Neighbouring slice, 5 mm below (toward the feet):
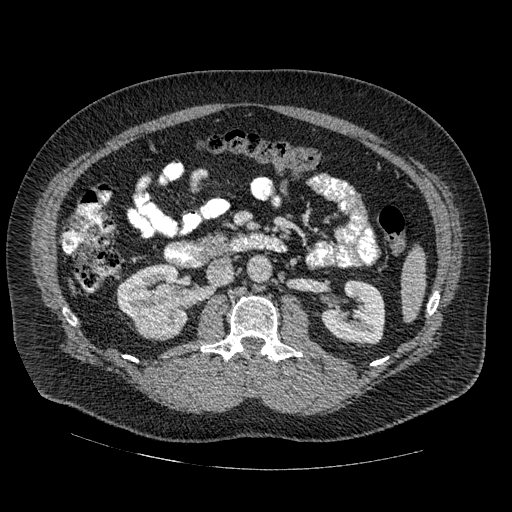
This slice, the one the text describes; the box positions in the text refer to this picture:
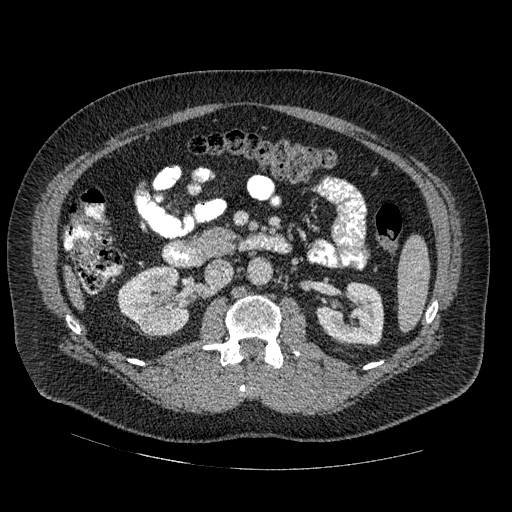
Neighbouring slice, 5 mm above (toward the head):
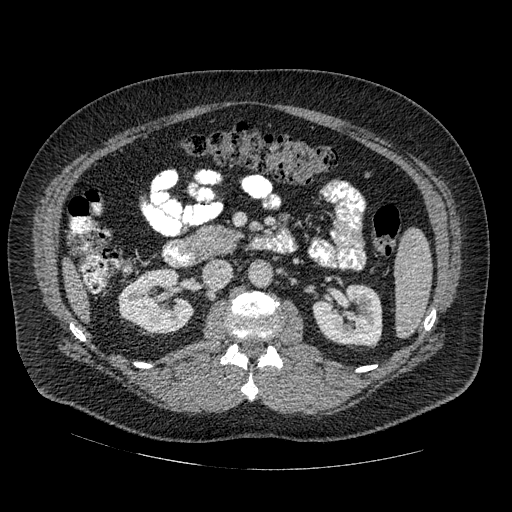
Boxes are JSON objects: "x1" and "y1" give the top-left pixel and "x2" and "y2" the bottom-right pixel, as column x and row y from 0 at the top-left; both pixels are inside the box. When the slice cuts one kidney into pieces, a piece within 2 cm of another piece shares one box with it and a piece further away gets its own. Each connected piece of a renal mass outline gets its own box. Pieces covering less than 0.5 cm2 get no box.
This is axial slice 274 of 445 (slice 1 is the lowest) of an arterial-phase abdominal CT with contrast; each pixel is 0.863 mm and the slice is 1.25 mm thick. Boxed on this slice (two kidney boxes and one renal mass box), listed by box centre from the image's left to its right: (1) Right kidney at {"x1": 117, "y1": 266, "x2": 190, "y2": 336} (outlined area 3,160 px, about 23.6 cm2). (2) Right renal mass at {"x1": 140, "y1": 308, "x2": 172, "y2": 333} (outlined area 652 px, about 4.9 cm2). (3) Left kidney at {"x1": 318, "y1": 282, "x2": 384, "y2": 344} (outlined area 3,035 px, about 22.6 cm2). This slice is near the end of the right renal mass toward the head, so the slices 5 mm below and 5 mm above it are shown as well; the boxes refer to this slice only.
Acquired at 120 kVp and reconstructed with the STANDARD kernel.